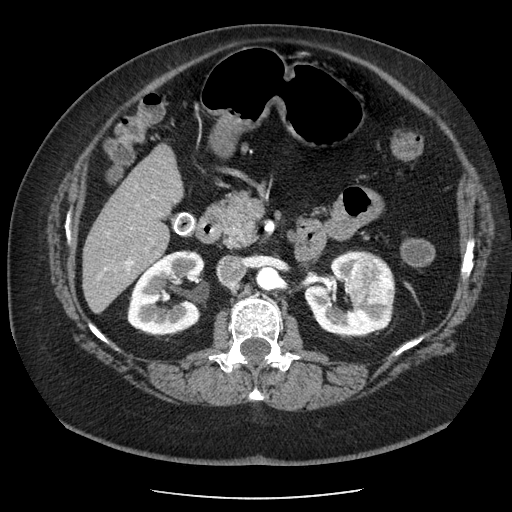
One axial slice (126 of 186, counting up from the lowest) of an arterial-phase abdominal CT acquired with 120 kVp, kernel STANDARD; each pixel is 0.742 mm and the slice is 2.50 mm thick.
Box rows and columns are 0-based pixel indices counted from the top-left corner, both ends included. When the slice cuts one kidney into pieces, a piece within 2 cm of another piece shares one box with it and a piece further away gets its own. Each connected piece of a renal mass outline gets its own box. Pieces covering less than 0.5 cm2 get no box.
Three boxes on this slice (two kidney boxes and one renal mass box), listed by box centre from the image's left to its right. (1) Right kidney, box rows 250–334, columns 127–204 (outlined area 4,951 px, about 27.3 cm2). (2) Left kidney at rows 250–335, columns 304–393 (outlined area 3,860 px, about 21.3 cm2). (3) Left renal mass, box rows 251–303, columns 346–395 (outlined area 2,002 px, about 11.0 cm2).